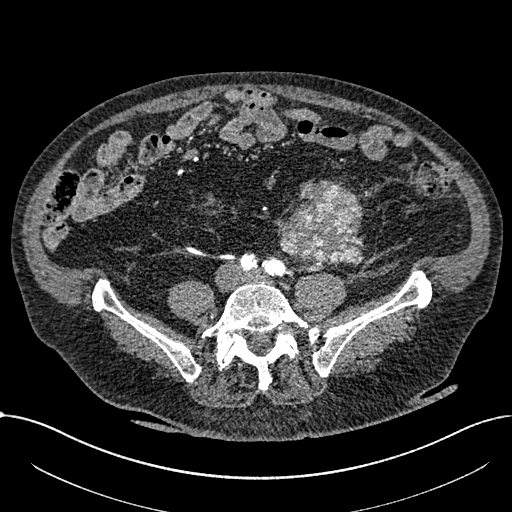
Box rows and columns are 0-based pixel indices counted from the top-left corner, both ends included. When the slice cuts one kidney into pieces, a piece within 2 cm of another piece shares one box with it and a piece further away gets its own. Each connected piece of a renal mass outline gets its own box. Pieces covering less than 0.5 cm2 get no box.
Arterial-phase contrast-enhanced abdominal CT, axial slice 192 of 1059 (counted from the lowest slice); 1.00 mm thick, 0.811 mm per pixel. Box rows 180–265, columns 277–364: renal mass (outlined area 5,449 px, about 35.8 cm2); here it is more than 1 cm from any kidney outline, though on another slice the same outlined renal mass lies within 1 cm of the kidney.
Scan settings: 100 kVp, I30f reconstruction kernel.